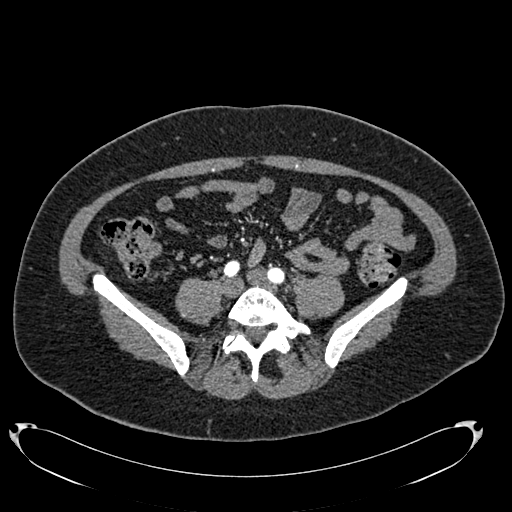
Axial slice 229 of 634 of a contrast-enhanced abdominal CT in the arterial phase (slice 1 is the lowest), 120 kVp, kernel B20f; 1.00 mm slice thickness and 0.838 mm pixels.
Neither a kidney nor a renal mass is outlined here. Only kidneys and renal masses are outlined anywhere in this scan; other structures are never outlined.